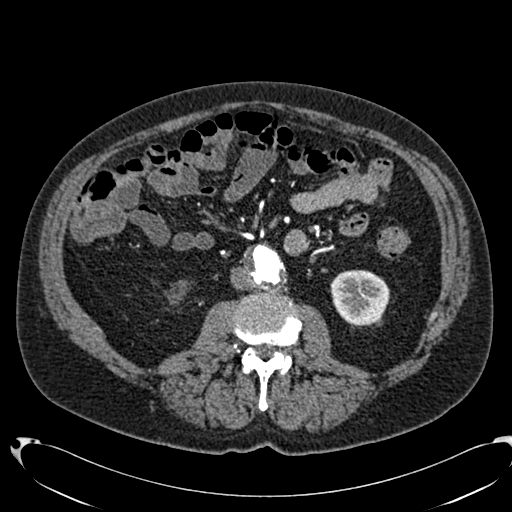
Abdominal CT with intravenous contrast, arterial phase, axial plane, 120 kVp, kernel B20f. Slice 348/553 from the bottom of the scan; thickness 1.00 mm; pixel size 0.773 mm.
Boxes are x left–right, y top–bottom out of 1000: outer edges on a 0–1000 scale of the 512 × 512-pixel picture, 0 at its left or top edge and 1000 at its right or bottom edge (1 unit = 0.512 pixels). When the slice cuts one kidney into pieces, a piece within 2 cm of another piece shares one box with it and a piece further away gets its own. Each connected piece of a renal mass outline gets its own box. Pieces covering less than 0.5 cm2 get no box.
Boxed on this slice (two kidney boxes), listed by box centre from the image's left to its right: (1) Right kidney at x 328–359, y 551–592 out of 1000 (outlined area 175 px, about 1.0 cm2). (2) Box x 645–762, y 527–639 out of 1000: left kidney (outlined area 2,659 px, about 15.9 cm2). This slice carries no renal mass outline.